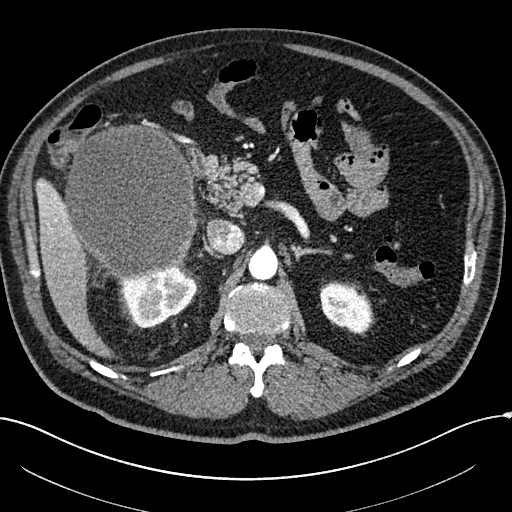
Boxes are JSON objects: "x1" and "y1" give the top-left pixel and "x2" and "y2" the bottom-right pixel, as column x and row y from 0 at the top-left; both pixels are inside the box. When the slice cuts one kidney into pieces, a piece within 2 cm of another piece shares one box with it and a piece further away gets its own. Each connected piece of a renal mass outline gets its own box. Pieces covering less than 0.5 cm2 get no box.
Slice 152/304 of a contrast-enhanced abdominal CT in the arterial phase, counting up from the lowest; pixel size 0.809 mm, slice thickness 2.00 mm. Boxed on this slice (two kidney boxes and one renal mass box), listed by box centre from the image's left to its right: (1) Box {"x1": 63, "y1": 124, "x2": 196, "y2": 279}: right renal mass (outlined area 16,239 px, about 106.2 cm2). (2) Right kidney at {"x1": 119, "y1": 266, "x2": 197, "y2": 328} (outlined area 3,235 px, about 21.2 cm2). (3) Left kidney, box {"x1": 320, "y1": 282, "x2": 372, "y2": 333} (outlined area 2,029 px, about 13.3 cm2).
Acquired at 100 kVp and reconstructed with the I30f kernel.